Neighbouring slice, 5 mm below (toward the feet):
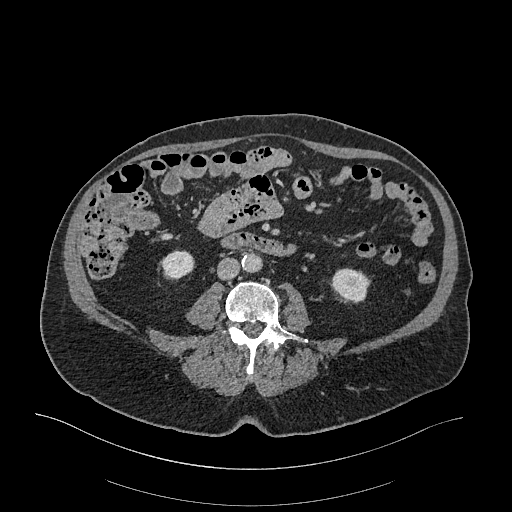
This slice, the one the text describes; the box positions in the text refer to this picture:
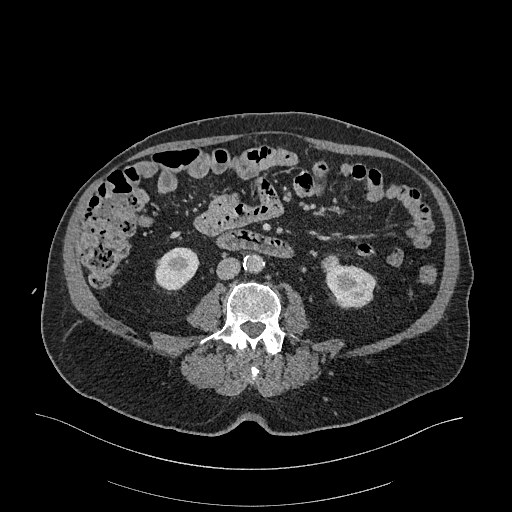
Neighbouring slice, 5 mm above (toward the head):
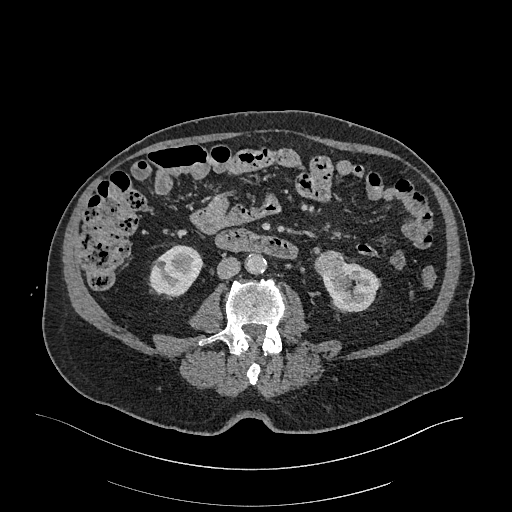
Abdominal CT with intravenous contrast, arterial phase, axial plane, 120 kVp, kernel I26f. Slice 85/470 from the bottom of the scan; thickness 1.00 mm; pixel size 0.938 mm.
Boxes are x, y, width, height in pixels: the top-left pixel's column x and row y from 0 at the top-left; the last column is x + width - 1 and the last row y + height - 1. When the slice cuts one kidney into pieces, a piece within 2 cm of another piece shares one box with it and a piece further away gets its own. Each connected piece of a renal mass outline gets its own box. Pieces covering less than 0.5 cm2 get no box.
Two kidney boxes and one renal mass box on this slice; by box centre, from the image's left to its right: (1) Right kidney at x 155, y 247, width 45, height 44 (outlined area 1,478 px, about 13.0 cm2). (2) Left renal mass at x 321, y 254, width 19, height 18 (outlined area 238 px, about 2.1 cm2). (3) Box x 324, y 264, width 53, height 46: left kidney (outlined area 1,754 px, about 15.4 cm2). This slice lies near the end of the left renal mass toward the feet; the slices 5 mm below and 5 mm above it are shown too, and the boxes mark positions on this slice only.